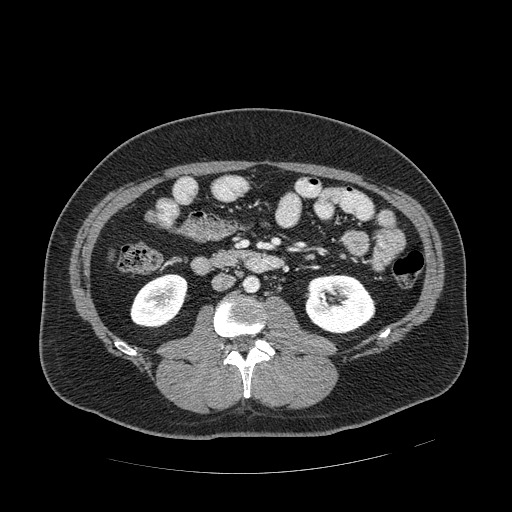
Arterial-phase contrast-enhanced abdominal CT, axial slice 238 of 389 (counted from the lowest slice); tube voltage 120 kVp, convolution kernel STANDARD; slices 1.25 mm thick, 0.869 mm per pixel.
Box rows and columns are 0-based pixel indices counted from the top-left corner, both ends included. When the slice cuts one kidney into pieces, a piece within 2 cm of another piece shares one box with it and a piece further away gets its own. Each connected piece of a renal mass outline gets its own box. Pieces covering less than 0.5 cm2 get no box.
Two boxes on this slice (two kidney boxes), listed by box centre from the image's left to its right. (1) Right kidney, box rows 273–328, columns 130–187 (outlined area 2,313 px, about 17.5 cm2). (2) Left kidney, box rows 274–333, columns 305–375 (outlined area 3,328 px, about 25.1 cm2). This slice carries no renal mass outline.